Contrast-enhanced abdominal CT, axial slice 454 of 787 (counted from the lowest slice); tube voltage 140 kVp, convolution kernel I30f; slices 1.00 mm thick, 0.910 mm per pixel.
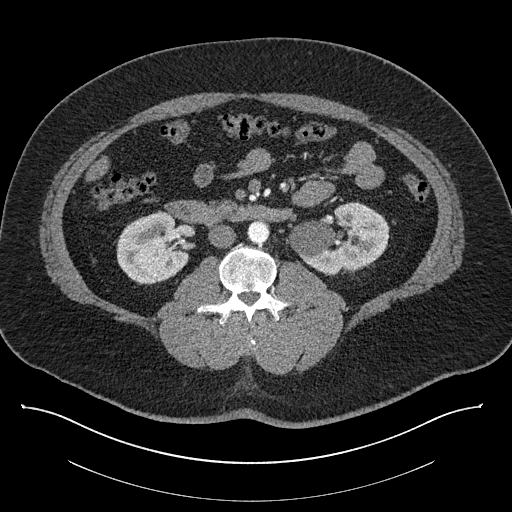
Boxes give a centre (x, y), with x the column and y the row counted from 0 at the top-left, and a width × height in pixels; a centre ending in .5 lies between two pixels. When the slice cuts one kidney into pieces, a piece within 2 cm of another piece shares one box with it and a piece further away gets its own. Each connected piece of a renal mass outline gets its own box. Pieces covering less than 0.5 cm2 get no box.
Boxed on this slice (two kidney boxes), listed by box centre from the image's left to its right: (1) Right kidney in a box with centre (152.5, 247), 74 × 75 pixels (outlined area 4,020 px, about 33.3 cm2). (2) Left kidney in a box with centre (338, 237), 103 × 73 pixels (outlined area 5,105 px, about 42.3 cm2). This slice carries no renal mass outline.